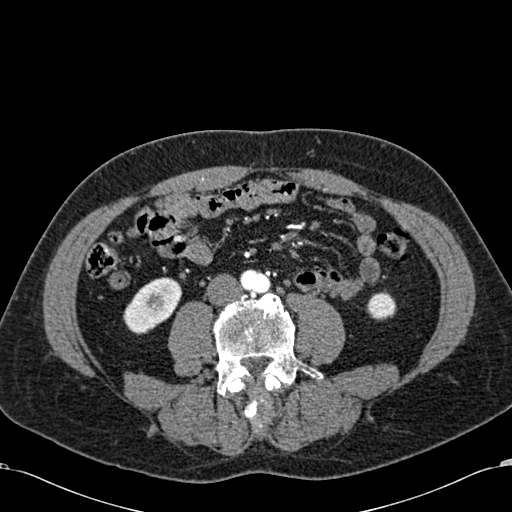
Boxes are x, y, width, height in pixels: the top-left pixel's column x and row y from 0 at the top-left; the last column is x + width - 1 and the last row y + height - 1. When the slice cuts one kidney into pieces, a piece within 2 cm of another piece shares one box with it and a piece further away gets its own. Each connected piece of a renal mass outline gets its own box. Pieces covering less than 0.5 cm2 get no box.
Slice 215/581 of a contrast-enhanced abdominal CT in the arterial phase, counting up from the lowest; pixel size 0.713 mm, slice thickness 1.00 mm. Two kidney boxes on this slice; by box centre, from the image's left to its right: (1) Box x 123, y 277, width 60, height 58: right kidney (outlined area 2,234 px, about 11.4 cm2). (2) Left kidney at x 366, y 290, width 31, height 31 (outlined area 690 px, about 3.5 cm2). This slice carries no renal mass outline.
Scan settings: 120 kVp, B30f reconstruction kernel.